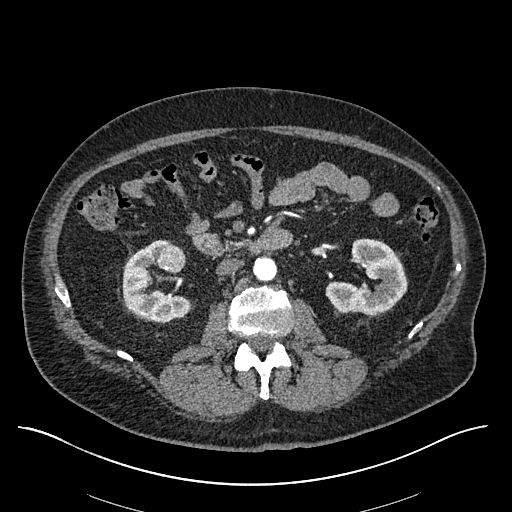
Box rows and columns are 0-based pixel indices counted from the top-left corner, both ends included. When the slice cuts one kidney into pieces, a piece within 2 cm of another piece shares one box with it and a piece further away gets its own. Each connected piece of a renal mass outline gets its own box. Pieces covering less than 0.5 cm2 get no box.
Arterial-phase contrast-enhanced abdominal CT, axial slice 314 of 670 (counted from the lowest slice); 1.00 mm thick, 0.861 mm per pixel. Two kidney boxes and one renal mass box on this slice; by box centre, from the image's left to its right: (1) Right kidney at rows 239–322, columns 122–190 (outlined area 3,459 px, about 25.7 cm2). (2) Box rows 243–272, columns 156–186: right renal mass (outlined area 658 px, about 4.9 cm2). (3) Box rows 238–315, columns 325–407: left kidney (outlined area 3,975 px, about 29.5 cm2).
Tube voltage 120 kVp; convolution kernel I30f.